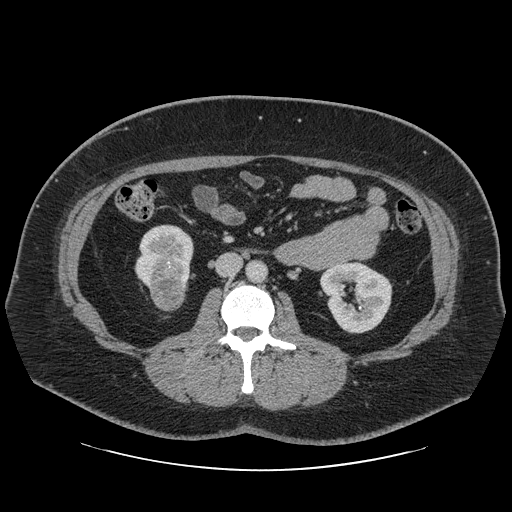
Axial slice 23 of 69 of a contrast-enhanced abdominal CT in the arterial phase (slice 1 is the lowest), 120 kVp, kernel STANDARD; 2.50 mm slice thickness and 0.846 mm pixels.
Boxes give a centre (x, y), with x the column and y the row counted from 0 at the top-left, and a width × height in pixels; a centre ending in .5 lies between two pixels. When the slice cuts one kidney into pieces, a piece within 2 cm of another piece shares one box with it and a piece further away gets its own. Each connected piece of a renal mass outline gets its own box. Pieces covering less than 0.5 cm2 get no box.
Two kidney boxes and one renal mass box on this slice; by box centre, from the image's left to its right: (1) Right kidney, box centre (163.5, 257), 60 × 67 pixels (outlined area 2,807 px, about 20.1 cm2). (2) Box centre (168.5, 294), 38 × 35 pixels: right renal mass (outlined area 1,026 px, about 7.3 cm2). (3) Box centre (356, 297), 73 × 73 pixels: left kidney (outlined area 3,845 px, about 27.5 cm2).